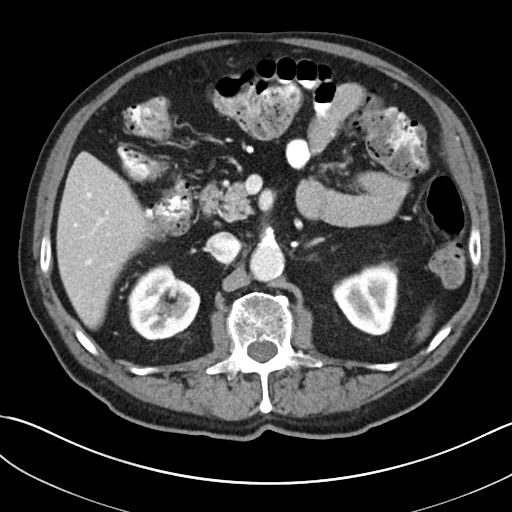
Axial slice 137 of 269 of a contrast-enhanced abdominal CT (slice 1 is the lowest), 100 kVp, kernel I30f; 5.00 mm slice thickness and 0.732 mm pixels.
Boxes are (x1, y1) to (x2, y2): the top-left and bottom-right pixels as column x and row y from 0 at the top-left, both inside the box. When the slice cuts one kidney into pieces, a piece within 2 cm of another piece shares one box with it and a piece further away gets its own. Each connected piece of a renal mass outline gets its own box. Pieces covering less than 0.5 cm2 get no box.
Boxed on this slice (two kidney boxes), listed by box centre from the image's left to its right: (1) Right kidney from (127, 264) to (200, 340) (outlined area 4,051 px, about 21.7 cm2). (2) Left kidney, box (332, 261) to (398, 335) (outlined area 3,642 px, about 19.5 cm2). No renal mass is outlined on this slice.